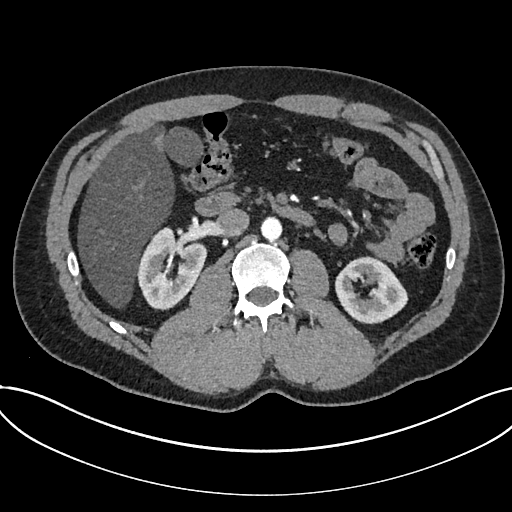
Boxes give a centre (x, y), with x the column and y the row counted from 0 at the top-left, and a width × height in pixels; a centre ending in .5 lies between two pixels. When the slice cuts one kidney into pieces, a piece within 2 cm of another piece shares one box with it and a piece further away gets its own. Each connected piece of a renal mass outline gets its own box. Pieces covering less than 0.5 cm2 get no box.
Arterial-phase contrast-enhanced abdominal CT, axial slice 411 of 735 (counted from the lowest slice); 1.00 mm thick, 0.789 mm per pixel. Two kidney boxes on this slice; by box centre, from the image's left to its right: (1) Kidney, box centre (172, 268), 71 × 85 pixels (outlined area 4,032 px, about 25.1 cm2). (2) Kidney in a box with centre (371.5, 290), 74 × 69 pixels (outlined area 3,451 px, about 21.5 cm2). No renal mass is outlined on this slice.
Acquired at 120 kVp and reconstructed with the I30f kernel.